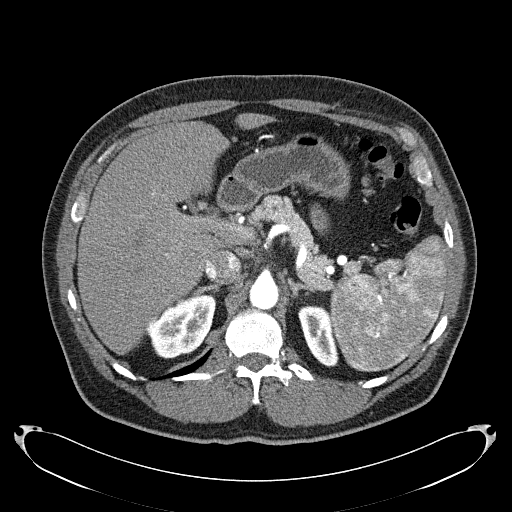
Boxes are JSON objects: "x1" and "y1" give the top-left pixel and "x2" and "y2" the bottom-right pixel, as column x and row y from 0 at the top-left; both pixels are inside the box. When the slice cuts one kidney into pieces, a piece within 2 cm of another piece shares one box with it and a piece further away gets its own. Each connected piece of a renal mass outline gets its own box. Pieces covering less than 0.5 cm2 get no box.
Slice 162/279 of a contrast-enhanced abdominal CT in the arterial phase, counting up from the lowest; pixel size 0.824 mm, slice thickness 2.00 mm. Two boxes on this slice (two kidney boxes), listed by box centre from the image's left to its right. (1) Box {"x1": 144, "y1": 295, "x2": 215, "y2": 358}: right kidney (outlined area 3,115 px, about 21.2 cm2). (2) Left kidney at {"x1": 298, "y1": 305, "x2": 338, "y2": 367} (outlined area 1,685 px, about 11.4 cm2). No renal mass outline on this slice.
Acquired at 120 kVp and reconstructed with the B31f kernel.